One axial slice (60 of 107, counting up from the lowest) of a contrast-enhanced abdominal CT acquired with 120 kVp, kernel B31f; each pixel is 0.941 mm and the slice is 5.00 mm thick.
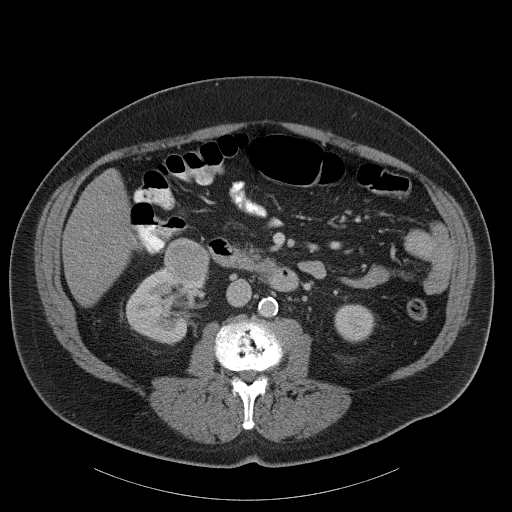
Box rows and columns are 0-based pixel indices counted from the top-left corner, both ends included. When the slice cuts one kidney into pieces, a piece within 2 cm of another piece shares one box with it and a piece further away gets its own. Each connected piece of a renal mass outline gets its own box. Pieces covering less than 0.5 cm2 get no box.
Boxed on this slice (two kidney boxes and one renal mass box), listed by box centre from the image's left to its right: (1) Right kidney at rows 267–343, columns 126–202 (outlined area 3,873 px, about 34.3 cm2). (2) Right renal mass at rows 237–288, columns 163–210 (outlined area 1,824 px, about 16.2 cm2). (3) Box rows 304–342, columns 334–375: left kidney (outlined area 1,266 px, about 11.2 cm2).